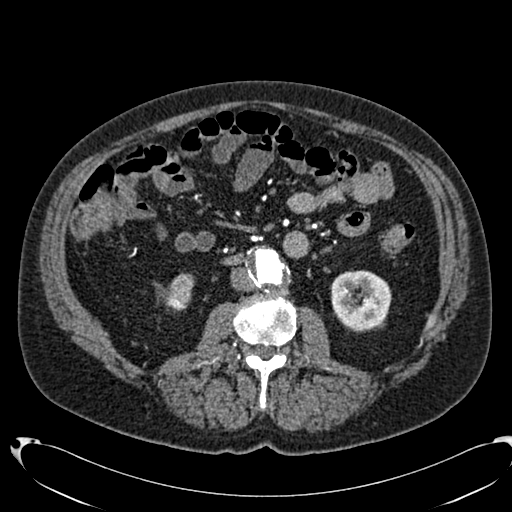
Abdominal CT with intravenous contrast, arterial phase, axial plane, 120 kVp, kernel B20f. Slice 356/553 from the bottom of the scan; thickness 1.00 mm; pixel size 0.773 mm.
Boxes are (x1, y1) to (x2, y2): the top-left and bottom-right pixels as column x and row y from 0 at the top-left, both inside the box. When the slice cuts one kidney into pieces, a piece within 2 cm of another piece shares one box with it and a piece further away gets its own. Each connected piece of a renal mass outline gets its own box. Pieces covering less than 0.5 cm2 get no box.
Two kidney boxes on this slice; by box centre, from the image's left to its right: (1) Right kidney from (165, 273) to (194, 312) (outlined area 829 px, about 5.0 cm2). (2) Box (331, 270) to (391, 329): left kidney (outlined area 2,922 px, about 17.5 cm2). No renal mass is outlined on this slice.